One axial slice (46 of 92, counting up from the lowest) of a contrast-enhanced abdominal CT acquired with 100 kVp, kernel I41f; each pixel is 0.684 mm and the slice is 3.00 mm thick.
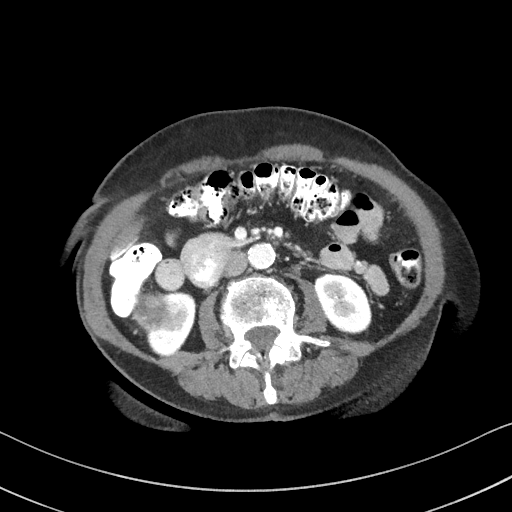
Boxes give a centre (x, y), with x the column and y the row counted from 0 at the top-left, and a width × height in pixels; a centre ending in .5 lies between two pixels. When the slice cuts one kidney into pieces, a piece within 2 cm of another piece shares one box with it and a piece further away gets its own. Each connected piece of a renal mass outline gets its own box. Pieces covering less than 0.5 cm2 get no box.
Three boxes on this slice (two kidney boxes and one renal mass box), listed by box centre from the image's left to its right. (1) Right renal mass, box centre (150.5, 311.5), 38 × 42 pixels (outlined area 1,197 px, about 5.6 cm2). (2) Box centre (170.5, 323), 48 × 63 pixels: right kidney (outlined area 1,779 px, about 8.3 cm2). (3) Left kidney, box centre (343, 303.5), 57 × 62 pixels (outlined area 2,538 px, about 11.9 cm2).